Abdominal CT with intravenous contrast, arterial phase, axial plane, 120 kVp, kernel B30f. Slice 14/53 from the bottom of the scan; thickness 3.00 mm; pixel size 0.547 mm.
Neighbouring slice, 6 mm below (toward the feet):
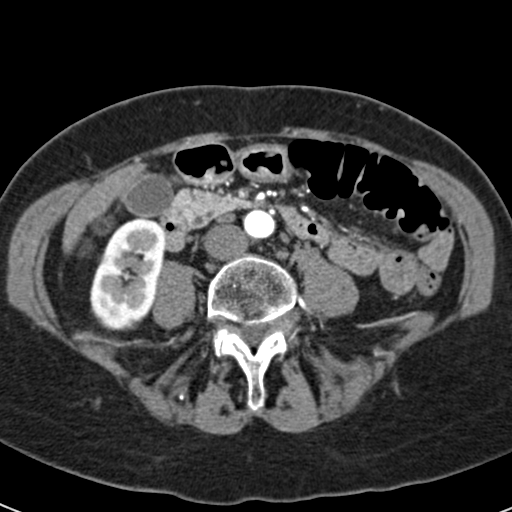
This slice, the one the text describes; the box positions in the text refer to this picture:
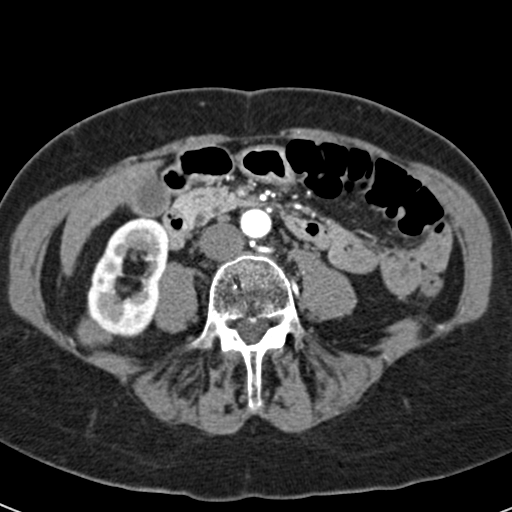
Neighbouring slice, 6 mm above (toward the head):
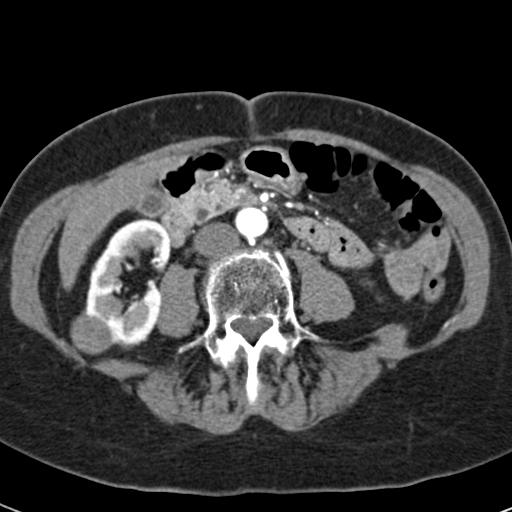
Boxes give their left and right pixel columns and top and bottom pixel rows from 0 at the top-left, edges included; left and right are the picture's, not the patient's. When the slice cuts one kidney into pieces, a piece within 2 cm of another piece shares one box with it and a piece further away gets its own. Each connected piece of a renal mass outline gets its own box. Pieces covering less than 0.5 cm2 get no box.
Two boxes on this slice (one kidney box and one renal mass box), listed by box centre from the image's left to its right. (1) Box with left 76, top 308, right 116, bottom 347: right renal mass (outlined area 802 px, about 2.4 cm2). (2) Box with left 87, top 217, right 169, bottom 337: right kidney (outlined area 6,586 px, about 19.7 cm2). This slice lies near the end of the right renal mass toward the feet; the slices 6 mm below and 6 mm above it are shown too, and the boxes mark positions on this slice only.